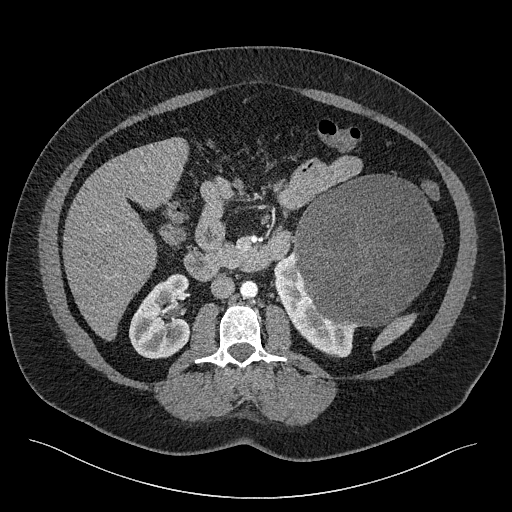
Axial slice 123 of 301 of a contrast-enhanced abdominal CT (slice 1 is the lowest), 120 kVp, kernel I40f; 2.00 mm slice thickness and 0.859 mm pixels.
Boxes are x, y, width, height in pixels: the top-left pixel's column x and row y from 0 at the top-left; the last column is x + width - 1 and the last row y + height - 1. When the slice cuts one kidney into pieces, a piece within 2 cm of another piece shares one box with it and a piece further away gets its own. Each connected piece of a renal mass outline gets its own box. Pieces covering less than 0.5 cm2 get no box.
Boxed on this slice (two kidney boxes and one renal mass box), listed by box centre from the image's left to its right: (1) Box x 129, y 273, width 62, height 86: right kidney (outlined area 3,846 px, about 28.4 cm2). (2) Box x 273, y 251, width 85, height 107: left kidney (outlined area 3,287 px, about 24.3 cm2). (3) Left renal mass at x 293, y 174, width 151, height 154 (outlined area 17,610 px, about 130.1 cm2).